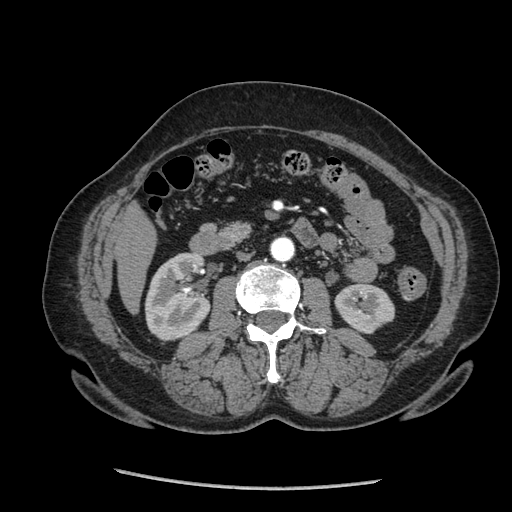
Arterial-phase contrast-enhanced abdominal CT, axial slice 111 of 233 (counted from the lowest slice); tube voltage 120 kVp, convolution kernel STANDARD; slices 1.25 mm thick, 0.703 mm per pixel.
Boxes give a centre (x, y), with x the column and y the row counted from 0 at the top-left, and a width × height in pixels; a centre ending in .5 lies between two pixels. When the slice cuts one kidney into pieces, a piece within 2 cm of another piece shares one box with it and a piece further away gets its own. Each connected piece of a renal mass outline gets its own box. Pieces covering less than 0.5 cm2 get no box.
Two kidney boxes on this slice; by box centre, from the image's left to its right: (1) Box centre (178, 296), 69 × 89 pixels: right kidney (outlined area 4,556 px, about 22.5 cm2). (2) Box centre (364.5, 309), 62 × 51 pixels: left kidney (outlined area 2,266 px, about 11.2 cm2). No renal mass is outlined on this slice.